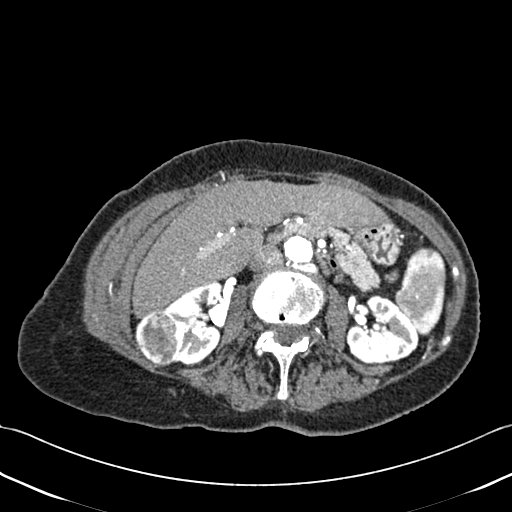
Contrast-enhanced abdominal CT, axial slice 239 of 433 (counted from the lowest slice); tube voltage 120 kVp, convolution kernel B30f; slices 1.00 mm thick, 0.672 mm per pixel.
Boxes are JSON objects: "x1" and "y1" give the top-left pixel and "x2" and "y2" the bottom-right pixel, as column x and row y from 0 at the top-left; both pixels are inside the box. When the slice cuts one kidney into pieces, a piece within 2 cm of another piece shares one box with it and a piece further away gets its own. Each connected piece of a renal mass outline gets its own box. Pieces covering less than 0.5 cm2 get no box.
Two kidney boxes and one renal mass box on this slice; by box centre, from the image's left to its right: (1) Box {"x1": 134, "y1": 310, "x2": 181, "y2": 366}: right renal mass (outlined area 2,021 px, about 9.1 cm2). (2) Box {"x1": 163, "y1": 282, "x2": 222, "y2": 365}: right kidney (outlined area 3,256 px, about 14.7 cm2). (3) Box {"x1": 345, "y1": 295, "x2": 419, "y2": 365}: left kidney (outlined area 3,622 px, about 16.4 cm2).